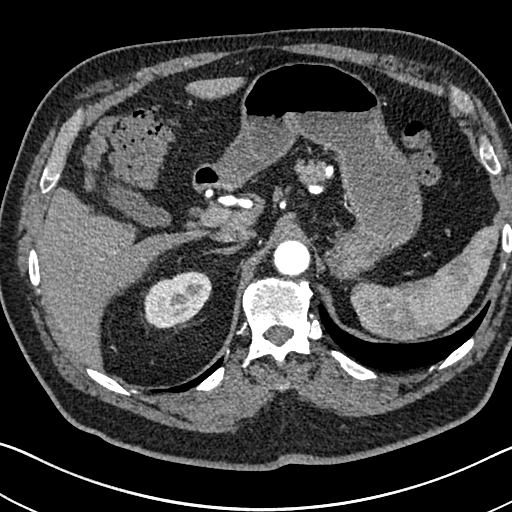
Abdominal CT with intravenous contrast, arterial phase, axial plane, 120 kVp, kernel I30f. Slice 542/705 from the bottom of the scan; thickness 1.00 mm; pixel size 0.703 mm.
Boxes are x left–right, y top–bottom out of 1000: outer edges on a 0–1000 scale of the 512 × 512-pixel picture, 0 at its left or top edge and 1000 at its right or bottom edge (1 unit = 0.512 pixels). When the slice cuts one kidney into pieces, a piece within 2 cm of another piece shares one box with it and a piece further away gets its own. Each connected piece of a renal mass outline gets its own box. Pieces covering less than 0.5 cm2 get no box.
Right kidney, box x 275–414, y 527–643 out of 1000 (outlined area 2,929 px, about 14.5 cm2). No renal mass outline on this slice.